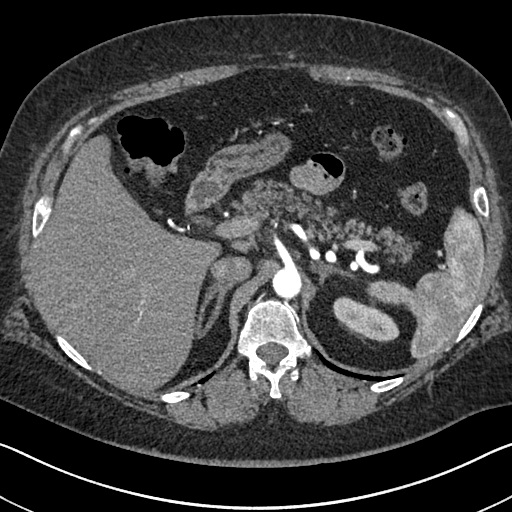
Abdominal CT with intravenous contrast, arterial phase, axial plane, 140 kVp, kernel I30f. Slice 500/591 from the bottom of the scan; thickness 1.00 mm; pixel size 0.703 mm.
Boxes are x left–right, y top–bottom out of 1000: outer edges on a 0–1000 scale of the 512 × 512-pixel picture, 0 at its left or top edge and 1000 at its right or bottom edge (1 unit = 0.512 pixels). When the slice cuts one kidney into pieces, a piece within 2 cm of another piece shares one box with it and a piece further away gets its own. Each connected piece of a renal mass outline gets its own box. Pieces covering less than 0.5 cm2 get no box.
Left kidney at x 648–781, y 578–668 out of 1000 (outlined area 1,818 px, about 9.0 cm2). No renal mass is outlined on this slice.